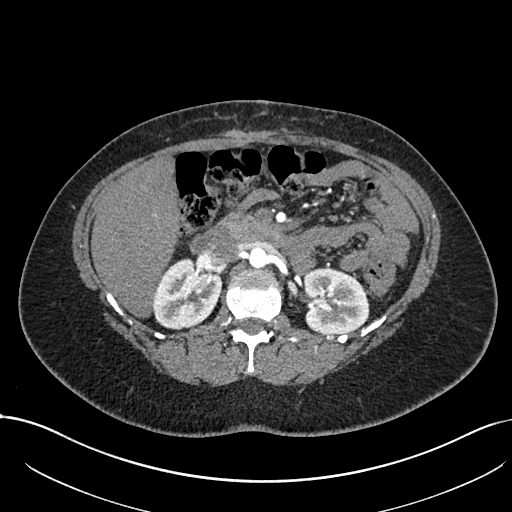
Axial slice 447 of 738 of a contrast-enhanced abdominal CT in the arterial phase (slice 1 is the lowest), 120 kVp, kernel I30f; 1.00 mm slice thickness and 0.789 mm pixels.
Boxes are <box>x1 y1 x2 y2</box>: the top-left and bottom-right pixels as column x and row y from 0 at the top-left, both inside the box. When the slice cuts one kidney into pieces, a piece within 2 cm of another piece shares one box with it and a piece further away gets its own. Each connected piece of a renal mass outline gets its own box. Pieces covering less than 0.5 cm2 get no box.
Two kidney boxes on this slice; by box centre, from the image's left to its right: (1) Right kidney at <box>153 258 222 329</box> (outlined area 3,777 px, about 23.5 cm2). (2) Left kidney at <box>302 268 369 334</box> (outlined area 3,673 px, about 22.9 cm2). No renal mass outline on this slice.